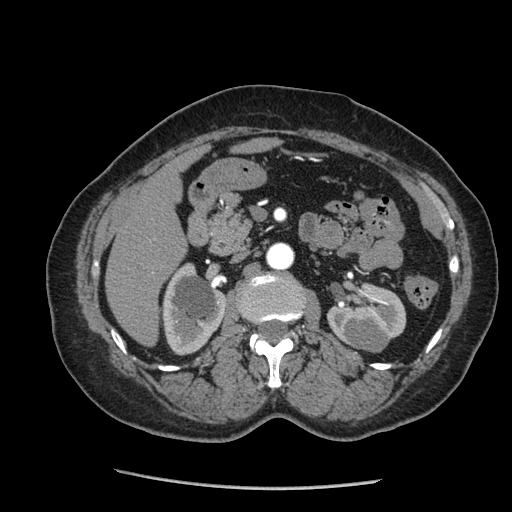
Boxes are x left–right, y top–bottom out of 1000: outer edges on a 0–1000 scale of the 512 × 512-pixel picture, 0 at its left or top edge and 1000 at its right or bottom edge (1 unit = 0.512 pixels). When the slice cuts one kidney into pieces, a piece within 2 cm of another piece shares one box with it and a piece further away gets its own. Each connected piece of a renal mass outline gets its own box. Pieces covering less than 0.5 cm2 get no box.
Slice 130/233 of a contrast-enhanced abdominal CT in the arterial phase, counting up from the lowest; pixel size 0.703 mm, slice thickness 1.25 mm. Three boxes on this slice (two kidney boxes and one renal mass box), listed by box centre from the image's left to its right. (1) Right kidney, box x 314–441, y 512–695 out of 1000 (outlined area 4,304 px, about 21.3 cm2). (2) Left kidney, box x 637–795, y 549–676 out of 1000 (outlined area 2,936 px, about 14.5 cm2). (3) Left renal mass at x 678–766, y 625–689 out of 1000 (outlined area 1,094 px, about 5.4 cm2).
Acquired at 120 kVp and reconstructed with the STANDARD kernel.